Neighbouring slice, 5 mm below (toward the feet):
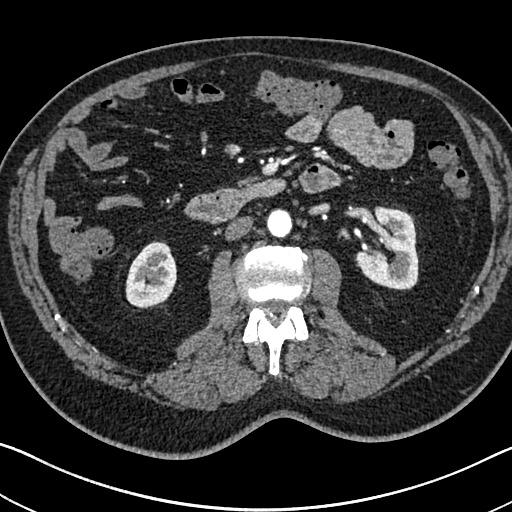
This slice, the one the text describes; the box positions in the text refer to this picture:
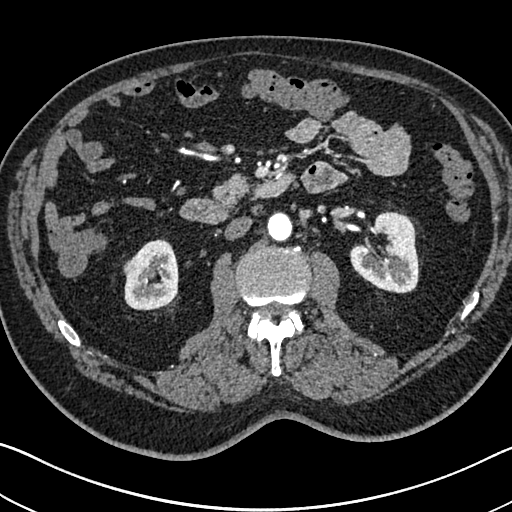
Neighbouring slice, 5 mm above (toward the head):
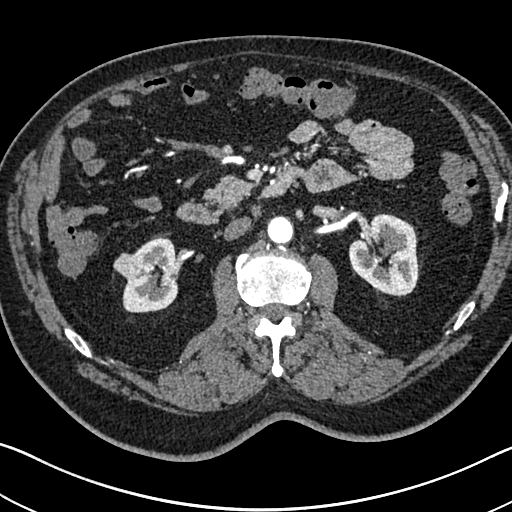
Axial slice 399 of 705 of a contrast-enhanced abdominal CT in the arterial phase (slice 1 is the lowest), 120 kVp, kernel I30f; 1.00 mm slice thickness and 0.703 mm pixels.
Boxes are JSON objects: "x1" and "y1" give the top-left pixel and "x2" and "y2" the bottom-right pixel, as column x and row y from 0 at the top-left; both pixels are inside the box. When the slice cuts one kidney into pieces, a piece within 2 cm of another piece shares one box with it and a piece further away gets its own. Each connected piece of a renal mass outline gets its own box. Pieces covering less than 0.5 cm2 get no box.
Two kidney boxes and one renal mass box on this slice; by box centre, from the image's left to its right: (1) Box {"x1": 123, "y1": 255, "x2": 140, "y2": 276}: right renal mass (outlined area 268 px, about 1.3 cm2). (2) Right kidney, box {"x1": 124, "y1": 239, "x2": 178, "y2": 310} (outlined area 2,897 px, about 14.3 cm2). (3) Left kidney, box {"x1": 349, "y1": 211, "x2": 419, "y2": 293} (outlined area 4,069 px, about 20.1 cm2). This slice lies near the end of the right renal mass toward the feet; the slices 5 mm below and 5 mm above it are shown too, and the boxes mark positions on this slice only.